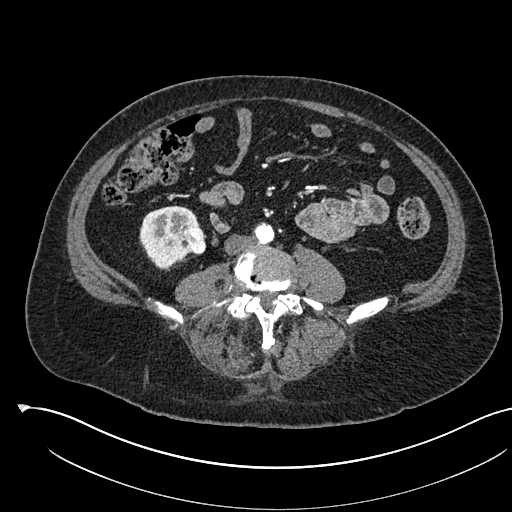
One axial slice (205 of 541, counting up from the lowest) of an arterial-phase abdominal CT acquired with 120 kVp, kernel I30f; each pixel is 0.834 mm and the slice is 1.00 mm thick.
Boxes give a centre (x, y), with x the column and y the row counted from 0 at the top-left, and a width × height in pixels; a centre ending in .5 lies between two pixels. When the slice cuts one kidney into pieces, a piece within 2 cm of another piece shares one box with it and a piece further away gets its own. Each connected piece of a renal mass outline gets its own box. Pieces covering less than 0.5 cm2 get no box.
Boxed on this slice (one kidney box and one renal mass box), listed by box centre from the image's left to its right: (1) Right kidney in a box with centre (170.5, 237.5), 64 × 66 pixels (outlined area 2,632 px, about 18.3 cm2). (2) Box centre (193.5, 241), 26 × 27 pixels: right renal mass (outlined area 544 px, about 3.8 cm2).